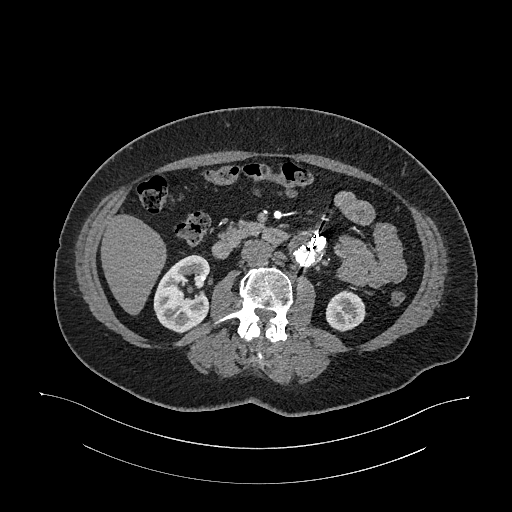
One axial slice (603 of 987, counting up from the lowest) of an arterial-phase abdominal CT acquired with 120 kVp, kernel I26f; each pixel is 0.977 mm and the slice is 1.00 mm thick.
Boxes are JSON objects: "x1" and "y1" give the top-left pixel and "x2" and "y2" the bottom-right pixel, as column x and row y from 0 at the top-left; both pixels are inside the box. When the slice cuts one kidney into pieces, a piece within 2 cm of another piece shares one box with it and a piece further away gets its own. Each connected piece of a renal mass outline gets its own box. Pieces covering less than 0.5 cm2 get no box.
Two kidney boxes on this slice; by box centre, from the image's left to its right: (1) Right kidney, box {"x1": 153, "y1": 254, "x2": 211, "y2": 333} (outlined area 3,288 px, about 31.4 cm2). (2) Left kidney, box {"x1": 325, "y1": 290, "x2": 365, "y2": 331} (outlined area 1,273 px, about 12.1 cm2). No renal mass is outlined on this slice.